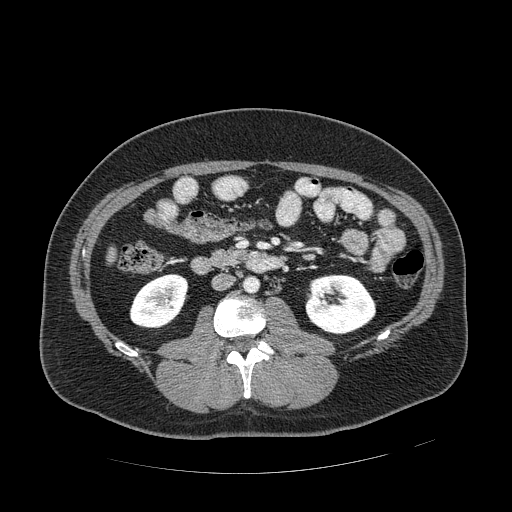
Arterial-phase contrast-enhanced abdominal CT, axial slice 239 of 389 (counted from the lowest slice); tube voltage 120 kVp, convolution kernel STANDARD; slices 1.25 mm thick, 0.869 mm per pixel.
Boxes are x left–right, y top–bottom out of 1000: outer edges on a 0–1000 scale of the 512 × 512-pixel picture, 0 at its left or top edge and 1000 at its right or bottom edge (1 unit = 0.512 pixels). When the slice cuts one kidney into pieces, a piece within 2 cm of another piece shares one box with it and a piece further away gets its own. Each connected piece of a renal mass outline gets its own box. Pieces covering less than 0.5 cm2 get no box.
Two kidney boxes on this slice; by box centre, from the image's left to its right: (1) Right kidney at x 252–369, y 533–643 out of 1000 (outlined area 2,394 px, about 18.1 cm2). (2) Left kidney, box x 596–736, y 535–654 out of 1000 (outlined area 3,326 px, about 25.1 cm2). This slice carries no renal mass outline.